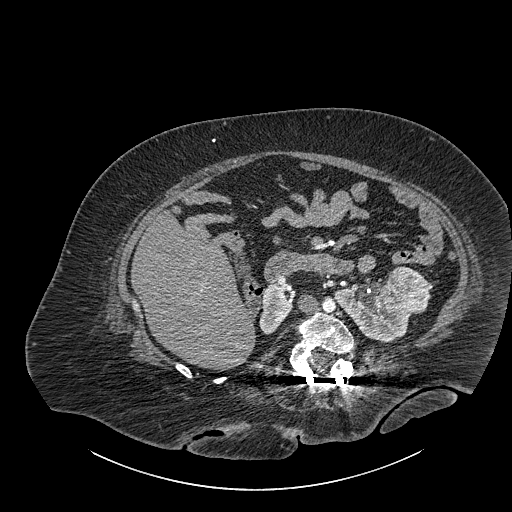
Axial slice 532 of 834 of a contrast-enhanced abdominal CT (slice 1 is the lowest), 140 kVp, kernel I30f; 1.00 mm slice thickness and 0.977 mm pixels.
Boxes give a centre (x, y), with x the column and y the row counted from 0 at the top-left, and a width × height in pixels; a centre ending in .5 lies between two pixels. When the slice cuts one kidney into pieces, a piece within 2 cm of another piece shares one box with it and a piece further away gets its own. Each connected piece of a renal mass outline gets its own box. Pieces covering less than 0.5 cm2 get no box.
Two kidney boxes and one renal mass box on this slice; by box centre, from the image's left to its right: (1) Right part of the midline-crossing kidney, box centre (275, 309.5), 33 × 50 pixels (outlined area 1,086 px, about 10.4 cm2). (2) Left part of the midline-crossing kidney, box centre (372.5, 312.5), 78 × 60 pixels (outlined area 2,757 px, about 26.3 cm2). (3) Renal mass in a box with centre (408, 289.5), 43 × 48 pixels (outlined area 1,575 px, about 15.0 cm2).